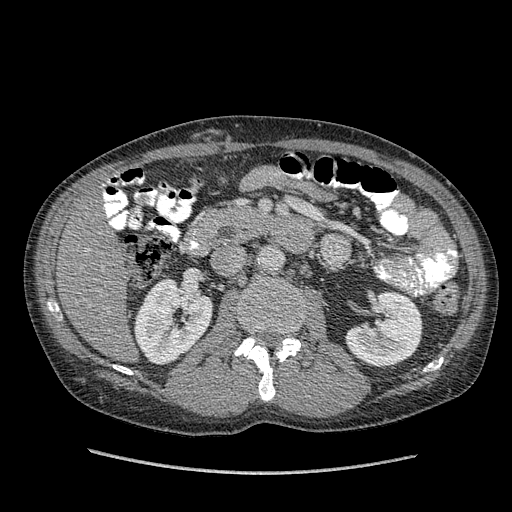
Arterial-phase contrast-enhanced abdominal CT, axial slice 211 of 349 (counted from the lowest slice); tube voltage 120 kVp, convolution kernel STANDARD; slices 1.25 mm thick, 0.742 mm per pixel.
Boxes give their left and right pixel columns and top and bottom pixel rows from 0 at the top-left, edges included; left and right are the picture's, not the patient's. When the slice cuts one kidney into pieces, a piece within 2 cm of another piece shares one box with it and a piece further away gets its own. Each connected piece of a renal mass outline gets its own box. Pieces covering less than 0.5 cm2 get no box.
Two kidney boxes on this slice; by box centre, from the image's left to its right: (1) Right kidney in the box with left 133, top 277, right 212, bottom 364 (outlined area 4,947 px, about 27.3 cm2). (2) Left kidney, the box with left 344, top 290, right 422, bottom 367 (outlined area 4,325 px, about 23.8 cm2). No renal mass is outlined on this slice.